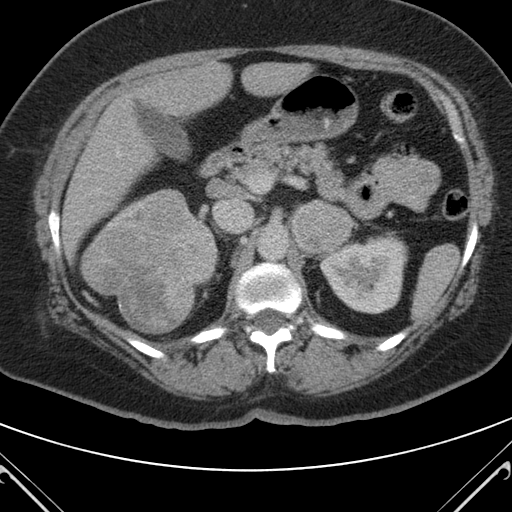
Abdominal CT with intravenous contrast, arterial phase, axial plane, 120 kVp, kernel B. Slice 70/98 from the bottom of the scan; thickness 5.00 mm; pixel size 0.703 mm.
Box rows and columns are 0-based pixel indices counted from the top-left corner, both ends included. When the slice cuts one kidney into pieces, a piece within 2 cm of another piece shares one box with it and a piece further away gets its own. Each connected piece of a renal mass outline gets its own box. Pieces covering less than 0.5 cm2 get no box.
Two boxes on this slice (one kidney box and one renal mass box), listed by box centre from the image's left to its right. (1) Box rows 188–334, columns 79–219: right renal mass (outlined area 13,491 px, about 66.7 cm2); on this slice it lies more than 1 cm from any kidney outline, but the same outlined renal mass comes within 1 cm of the kidney on another slice. (2) Box rows 235–314, columns 319–408: left kidney (outlined area 5,134 px, about 25.4 cm2).